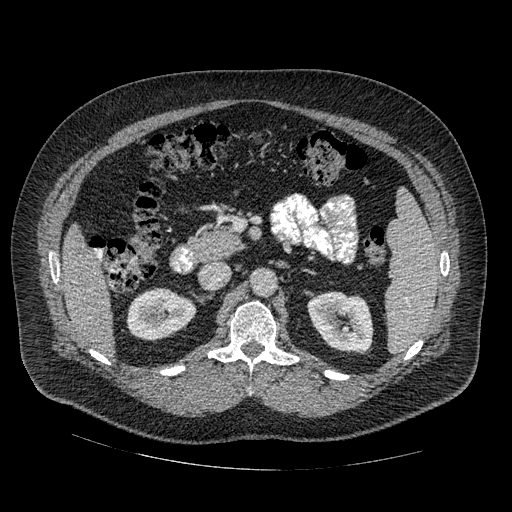
Abdominal CT with intravenous contrast, arterial phase, axial plane, 120 kVp, kernel STANDARD. Slice 295/445 from the bottom of the scan; thickness 1.25 mm; pixel size 0.863 mm.
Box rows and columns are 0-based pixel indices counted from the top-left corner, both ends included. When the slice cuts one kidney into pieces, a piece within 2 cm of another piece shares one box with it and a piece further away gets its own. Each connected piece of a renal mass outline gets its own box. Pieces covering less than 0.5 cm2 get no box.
Two boxes on this slice (two kidney boxes), listed by box centre from the image's left to its right. (1) Right kidney, box rows 287–340, columns 126–196 (outlined area 2,759 px, about 20.6 cm2). (2) Left kidney at rows 291–354, columns 307–373 (outlined area 3,182 px, about 23.7 cm2). No renal mass outline on this slice.